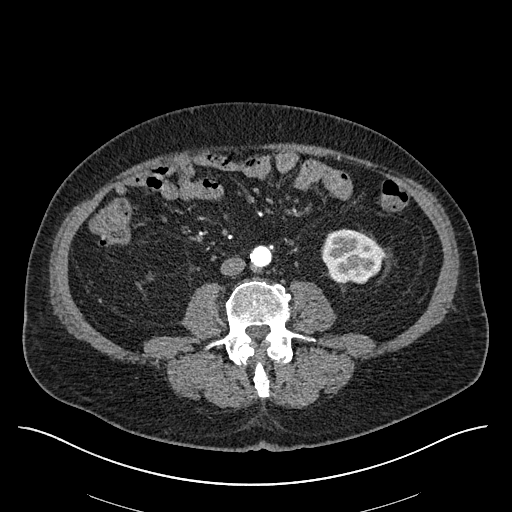
One axial slice (231 of 670, counting up from the lowest) of an arterial-phase abdominal CT acquired with 120 kVp, kernel I30f; each pixel is 0.861 mm and the slice is 1.00 mm thick.
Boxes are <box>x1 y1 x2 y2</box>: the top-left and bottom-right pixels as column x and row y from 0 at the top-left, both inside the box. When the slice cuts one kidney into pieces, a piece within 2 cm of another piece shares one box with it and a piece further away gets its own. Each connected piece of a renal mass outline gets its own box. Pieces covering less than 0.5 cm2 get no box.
At <box>321 228 383 283</box>: left kidney (outlined area 2,687 px, about 19.9 cm2). No renal mass outline on this slice.